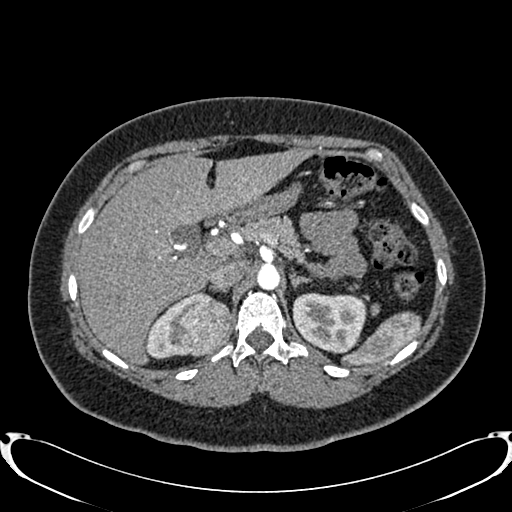
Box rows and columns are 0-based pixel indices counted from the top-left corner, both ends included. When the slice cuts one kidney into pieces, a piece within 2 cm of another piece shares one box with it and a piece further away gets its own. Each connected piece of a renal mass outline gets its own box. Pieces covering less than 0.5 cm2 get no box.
Slice 564/719 of a contrast-enhanced abdominal CT in the arterial phase, counting up from the lowest; pixel size 0.766 mm, slice thickness 1.00 mm. Three boxes on this slice (two kidney boxes and one renal mass box), listed by box centre from the image's left to its right. (1) Right kidney, box rows 296–359, columns 146–189 (outlined area 878 px, about 5.1 cm2). (2) Box rows 291–357, columns 165–229: right renal mass (outlined area 3,215 px, about 18.8 cm2). (3) Left kidney at rows 292–353, columns 292–366 (outlined area 3,608 px, about 21.1 cm2).
Tube voltage 120 kVp; convolution kernel B20f.